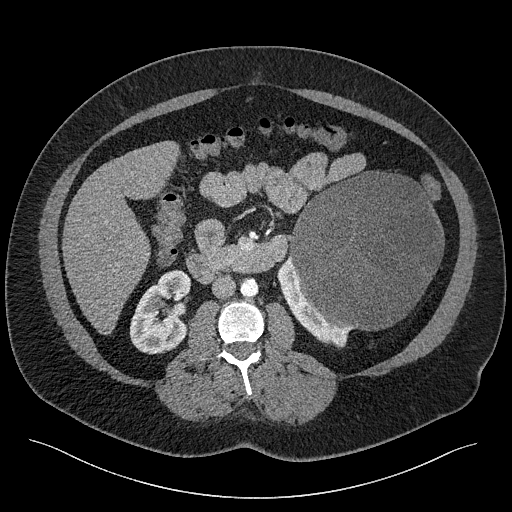
Axial slice 116 of 301 of a contrast-enhanced abdominal CT (slice 1 is the lowest), 120 kVp, kernel I40f; 2.00 mm slice thickness and 0.859 mm pixels.
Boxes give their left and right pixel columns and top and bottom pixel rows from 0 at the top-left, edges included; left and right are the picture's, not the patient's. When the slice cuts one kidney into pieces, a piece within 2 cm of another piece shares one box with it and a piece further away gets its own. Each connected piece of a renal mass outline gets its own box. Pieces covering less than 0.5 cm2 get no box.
Two kidney boxes and one renal mass box on this slice; by box centre, from the image's left to its right: (1) Right kidney in the box with left 129, top 270, right 192, bottom 354 (outlined area 3,748 px, about 27.7 cm2). (2) Left kidney, the box with left 277, top 255, right 351, bottom 348 (outlined area 1,930 px, about 14.3 cm2). (3) Box with left 289, top 171, right 444, bottom 330: left renal mass (outlined area 18,983 px, about 140.2 cm2).